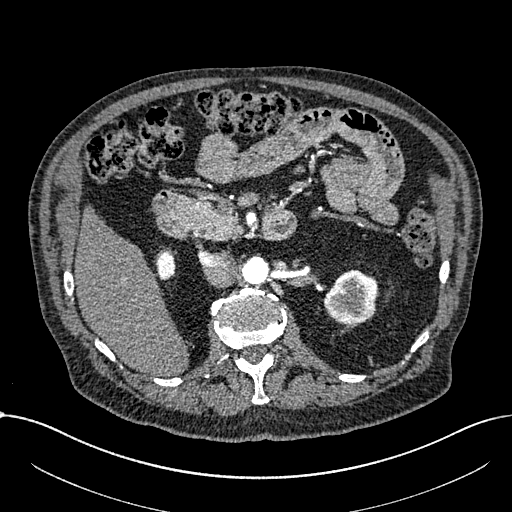
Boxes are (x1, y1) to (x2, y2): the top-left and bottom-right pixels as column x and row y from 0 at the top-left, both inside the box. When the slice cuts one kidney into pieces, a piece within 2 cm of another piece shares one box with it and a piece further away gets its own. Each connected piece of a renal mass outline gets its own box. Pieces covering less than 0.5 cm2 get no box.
Arterial-phase contrast-enhanced abdominal CT, axial slice 430 of 1059 (counted from the lowest slice); 1.00 mm thick, 0.811 mm per pixel. Two kidney boxes on this slice; by box centre, from the image's left to its right: (1) Box (156, 252) to (175, 280): right part of the midline-crossing kidney (outlined area 456 px, about 3.0 cm2). (2) Box (323, 269) to (378, 324): left part of the midline-crossing kidney (outlined area 2,318 px, about 15.2 cm2). No renal mass outline on this slice.
Tube voltage 100 kVp; convolution kernel I30f.